Contrast-enhanced abdominal CT, axial slice 426 of 787 (counted from the lowest slice); tube voltage 140 kVp, convolution kernel I30f; slices 1.00 mm thick, 0.910 mm per pixel.
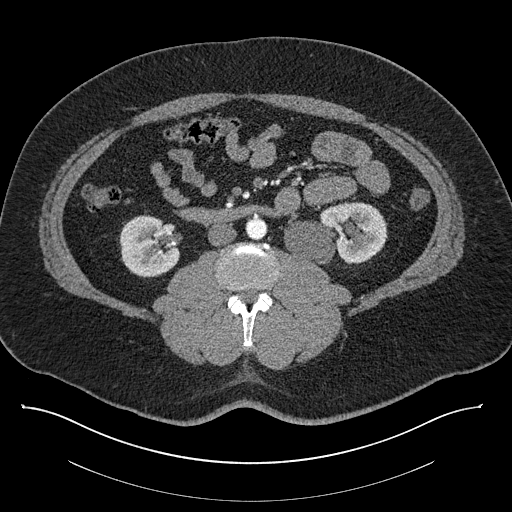
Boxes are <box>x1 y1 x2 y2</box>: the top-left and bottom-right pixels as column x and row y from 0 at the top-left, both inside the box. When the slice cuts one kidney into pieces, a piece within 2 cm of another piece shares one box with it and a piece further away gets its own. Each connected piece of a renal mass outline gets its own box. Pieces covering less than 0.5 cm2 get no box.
Two boxes on this slice (two kidney boxes), listed by box centre from the image's left to its right. (1) Right kidney at <box>119 215 179 277</box> (outlined area 2,948 px, about 24.4 cm2). (2) Left kidney at <box>283 202 387 264</box> (outlined area 4,781 px, about 39.6 cm2). This slice carries no renal mass outline.